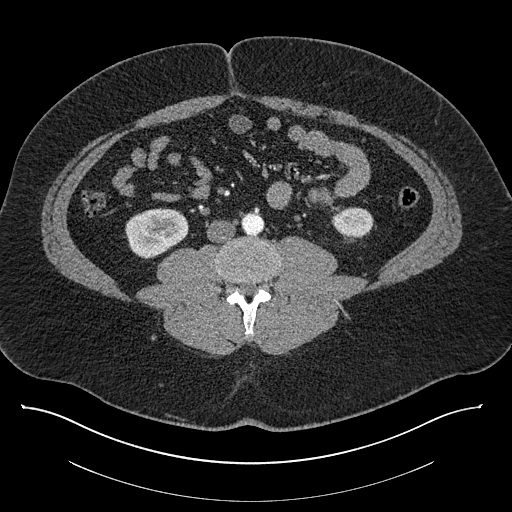
Abdominal CT with intravenous contrast, axial plane, 140 kVp, kernel I30f. Slice 358/787 from the bottom of the scan; thickness 1.00 mm; pixel size 0.910 mm.
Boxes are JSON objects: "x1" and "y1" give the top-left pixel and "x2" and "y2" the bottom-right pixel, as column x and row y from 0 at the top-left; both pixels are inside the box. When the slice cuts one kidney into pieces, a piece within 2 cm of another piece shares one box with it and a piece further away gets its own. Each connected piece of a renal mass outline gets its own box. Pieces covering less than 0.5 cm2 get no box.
Boxed on this slice (two kidney boxes), listed by box centre from the image's left to its right: (1) Right kidney, box {"x1": 125, "y1": 208, "x2": 188, "y2": 257} (outlined area 2,433 px, about 20.2 cm2). (2) Left kidney at {"x1": 331, "y1": 207, "x2": 373, "y2": 239} (outlined area 1,060 px, about 8.8 cm2). This slice carries no renal mass outline.